Axial slice 472 of 683 of a contrast-enhanced abdominal CT in the arterial phase (slice 1 is the lowest), 120 kVp, kernel I30f; 1.00 mm slice thickness and 0.738 mm pixels.
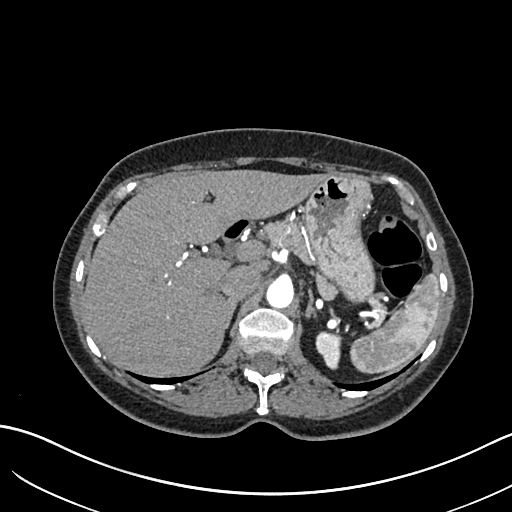
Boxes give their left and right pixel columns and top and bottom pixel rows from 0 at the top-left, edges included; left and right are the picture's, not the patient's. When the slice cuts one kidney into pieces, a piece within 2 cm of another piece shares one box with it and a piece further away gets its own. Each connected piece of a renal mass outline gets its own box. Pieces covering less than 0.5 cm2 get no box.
Left kidney, the box with left 315, top 332, right 342, bottom 369 (outlined area 757 px, about 4.1 cm2). This slice carries no renal mass outline.